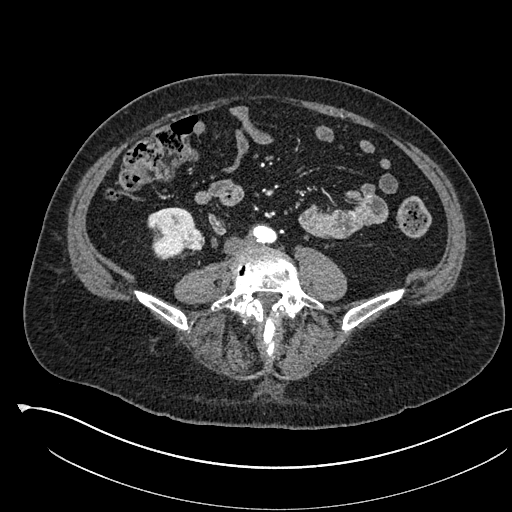
Arterial-phase contrast-enhanced abdominal CT, axial slice 196 of 541 (counted from the lowest slice); tube voltage 120 kVp, convolution kernel I30f; slices 1.00 mm thick, 0.834 mm per pixel.
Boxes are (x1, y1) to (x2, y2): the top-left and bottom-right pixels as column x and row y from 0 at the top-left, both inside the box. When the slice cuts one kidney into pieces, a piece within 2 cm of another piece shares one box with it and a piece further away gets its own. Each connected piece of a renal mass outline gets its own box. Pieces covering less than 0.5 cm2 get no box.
Boxed on this slice (one kidney box and one renal mass box), listed by box centre from the image's left to its right: (1) Right kidney from (147, 207) to (195, 259) (outlined area 1,781 px, about 12.4 cm2). (2) Right renal mass, box (183, 228) to (204, 250) (outlined area 407 px, about 2.8 cm2).